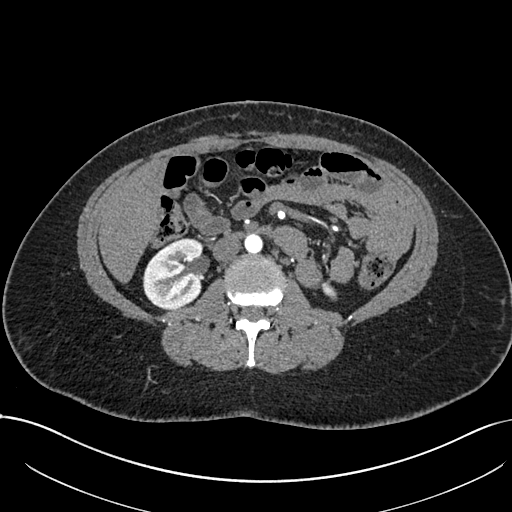
Abdominal CT with intravenous contrast, arterial phase, axial plane, 120 kVp, kernel I30f. Slice 381/738 from the bottom of the scan; thickness 1.00 mm; pixel size 0.789 mm.
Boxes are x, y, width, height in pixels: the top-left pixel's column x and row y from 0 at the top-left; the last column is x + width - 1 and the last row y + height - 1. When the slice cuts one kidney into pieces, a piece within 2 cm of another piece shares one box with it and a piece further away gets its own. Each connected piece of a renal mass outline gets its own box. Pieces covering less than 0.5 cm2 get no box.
Boxed on this slice (two kidney boxes), listed by box centre from the image's left to its right: (1) Right kidney, box x 142, y 238, width 61, height 72 (outlined area 3,417 px, about 21.3 cm2). (2) Box x 320, y 281, width 17, height 17: left kidney (outlined area 172 px, about 1.1 cm2). This slice carries no renal mass outline.